Abdominal CT with intravenous contrast, axial plane, 100 kVp, kernel I40f. Slice 322/439 from the bottom of the scan; thickness 2.00 mm; pixel size 0.850 mm.
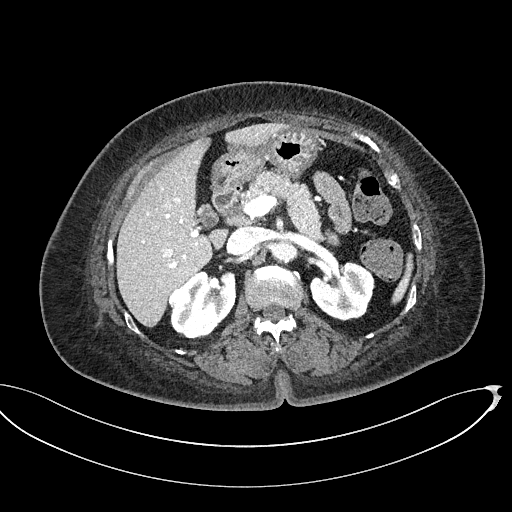
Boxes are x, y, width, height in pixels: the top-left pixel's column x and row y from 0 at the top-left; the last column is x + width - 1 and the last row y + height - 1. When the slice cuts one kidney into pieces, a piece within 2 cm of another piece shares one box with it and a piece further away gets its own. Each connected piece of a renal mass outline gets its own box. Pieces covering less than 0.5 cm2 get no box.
Three boxes on this slice (two kidney boxes and one renal mass box), listed by box centre from the image's left to its right. (1) Right renal mass at x 169, y 285, width 22, height 25 (outlined area 401 px, about 2.9 cm2). (2) Right kidney at x 170, y 271, width 67, height 69 (outlined area 3,042 px, about 22.0 cm2). (3) Left kidney, box x 310, y 261, width 65, height 60 (outlined area 2,833 px, about 20.4 cm2).